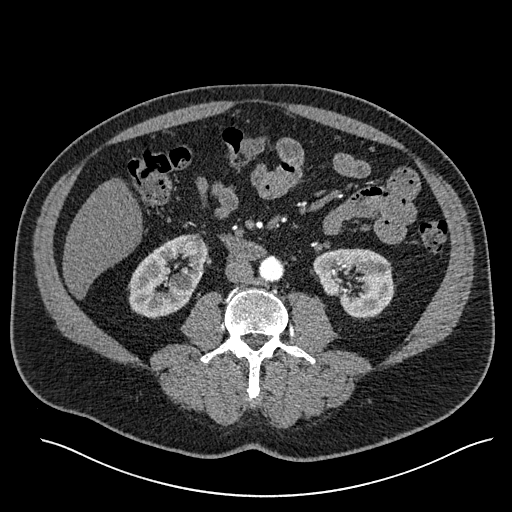
Abdominal CT with intravenous contrast, arterial phase, axial plane, 120 kVp, kernel I30f. Slice 258/527 from the bottom of the scan; thickness 1.00 mm; pixel size 0.859 mm.
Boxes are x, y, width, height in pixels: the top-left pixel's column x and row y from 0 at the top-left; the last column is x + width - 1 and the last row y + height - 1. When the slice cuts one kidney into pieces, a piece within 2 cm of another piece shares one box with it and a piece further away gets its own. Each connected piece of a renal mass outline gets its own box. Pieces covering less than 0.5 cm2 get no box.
Boxed on this slice (two kidney boxes), listed by box centre from the image's left to its right: (1) Right kidney at x 128, y 234, width 80, height 84 (outlined area 4,430 px, about 32.7 cm2). (2) Left kidney, box x 313, y 248, width 81, height 70 (outlined area 4,149 px, about 30.6 cm2). No renal mass outline on this slice.